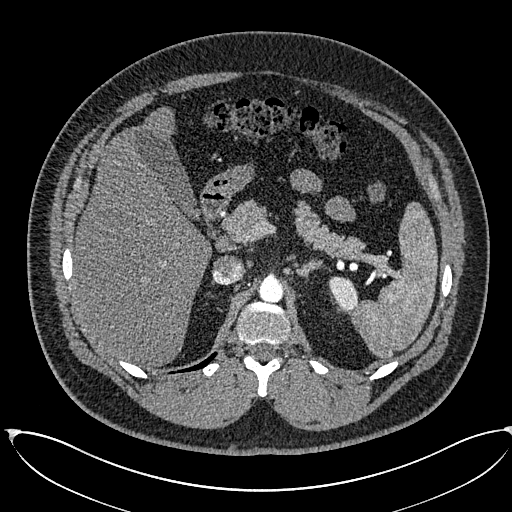
One axial slice (431 of 673, counting up from the lowest) of an arterial-phase abdominal CT acquired with 120 kVp, kernel I30f; each pixel is 0.855 mm and the slice is 1.00 mm thick.
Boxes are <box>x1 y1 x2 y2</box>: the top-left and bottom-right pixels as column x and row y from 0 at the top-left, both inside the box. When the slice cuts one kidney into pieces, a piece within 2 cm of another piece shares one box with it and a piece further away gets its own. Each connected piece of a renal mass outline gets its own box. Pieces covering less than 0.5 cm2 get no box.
Left kidney: <box>328 276 357 312</box> (outlined area 784 px, about 5.7 cm2). No renal mass is outlined on this slice.